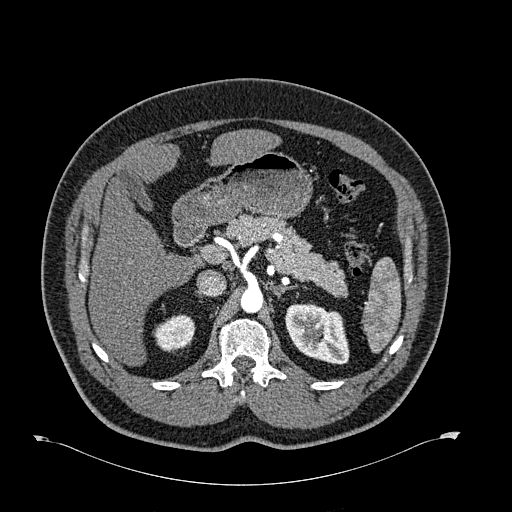
One axial slice (447 of 723, counting up from the lowest) of an arterial-phase abdominal CT acquired with 120 kVp, kernel B30f; each pixel is 0.895 mm and the slice is 1.00 mm thick.
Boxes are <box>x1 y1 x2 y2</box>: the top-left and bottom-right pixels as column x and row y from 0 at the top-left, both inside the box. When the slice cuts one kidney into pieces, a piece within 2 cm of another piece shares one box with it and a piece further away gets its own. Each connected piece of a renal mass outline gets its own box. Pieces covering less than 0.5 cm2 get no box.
Two boxes on this slice (two kidney boxes), listed by box centre from the image's left to its right. (1) At <box>152 314 195 352</box>: right kidney (outlined area 1,190 px, about 9.5 cm2). (2) At <box>285 303 349 364</box>: left kidney (outlined area 2,970 px, about 23.8 cm2). No renal mass is outlined on this slice.